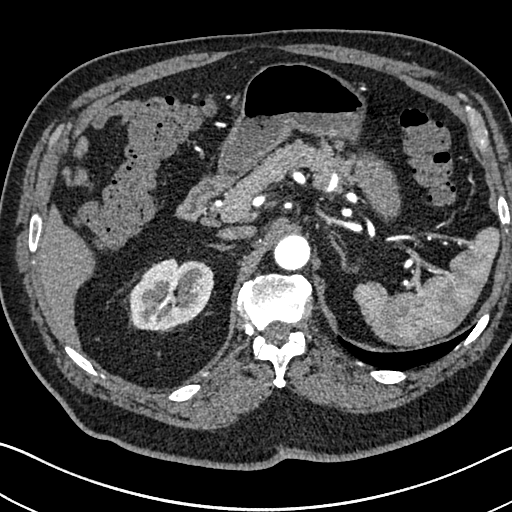
Arterial-phase contrast-enhanced abdominal CT, axial slice 517 of 705 (counted from the lowest slice); tube voltage 120 kVp, convolution kernel I30f; slices 1.00 mm thick, 0.703 mm per pixel.
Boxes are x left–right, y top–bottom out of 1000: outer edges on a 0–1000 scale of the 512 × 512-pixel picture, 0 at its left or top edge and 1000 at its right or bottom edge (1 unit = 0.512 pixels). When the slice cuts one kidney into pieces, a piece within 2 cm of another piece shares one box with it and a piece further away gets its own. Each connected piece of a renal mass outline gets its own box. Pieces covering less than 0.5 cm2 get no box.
Right kidney, box x 252–420, y 504–646 out of 1000 (outlined area 4,693 px, about 23.2 cm2). No renal mass outline on this slice.